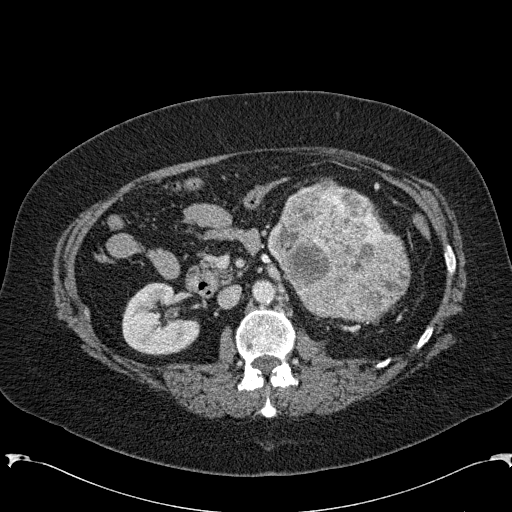
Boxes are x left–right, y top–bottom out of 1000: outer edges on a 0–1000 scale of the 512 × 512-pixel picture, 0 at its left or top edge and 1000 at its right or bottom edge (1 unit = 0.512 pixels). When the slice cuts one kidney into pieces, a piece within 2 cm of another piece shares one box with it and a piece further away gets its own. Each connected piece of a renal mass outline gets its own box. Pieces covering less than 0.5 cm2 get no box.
This is axial slice 128 of 285 (slice 1 is the lowest) of an arterial-phase abdominal CT with contrast; each pixel is 0.762 mm and the slice is 2.00 mm thick. Two boxes on this slice (one kidney box and one renal mass box), listed by box centre from the image's left to its right. (1) Right kidney, box x 238–391, y 551–695 out of 1000 (outlined area 4,108 px, about 23.8 cm2). (2) Left renal mass, box x 521–805, y 346–629 out of 1000 (outlined area 14,508 px, about 84.2 cm2); it sits over 1 cm from every kidney outline on this slice, but the same outlined renal mass comes within 1 cm of the kidney on another slice.
Tube voltage 120 kVp; convolution kernel B31f.